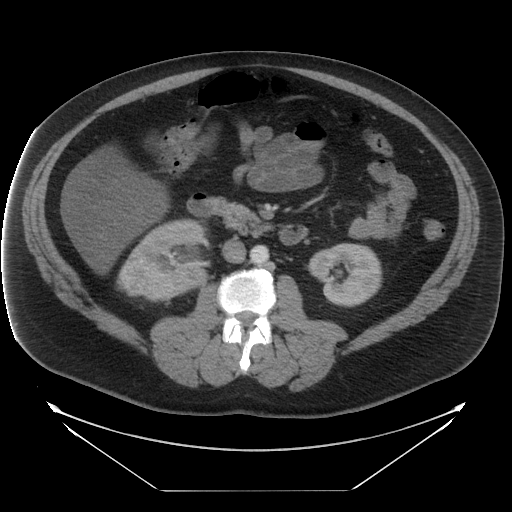
Contrast-enhanced abdominal CT, axial slice 13 of 29 (counted from the lowest slice); tube voltage 120 kVp, convolution kernel STANDARD; slices 5.00 mm thick, 0.977 mm per pixel.
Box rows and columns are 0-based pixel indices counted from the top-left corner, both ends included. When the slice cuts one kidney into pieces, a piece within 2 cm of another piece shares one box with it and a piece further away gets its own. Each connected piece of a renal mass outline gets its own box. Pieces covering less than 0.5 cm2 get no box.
Three boxes on this slice (two kidney boxes and one renal mass box), listed by box centre from the image's left to its right. (1) Right renal mass at rows 260–301, columns 123–169 (outlined area 1,532 px, about 14.6 cm2). (2) Right kidney, box rows 218–302, columns 116–207 (outlined area 4,023 px, about 38.4 cm2). (3) Box rows 243–307, columns 308–381: left kidney (outlined area 3,589 px, about 34.2 cm2).